Axial slice 119 of 197 of a contrast-enhanced abdominal CT (slice 1 is the lowest), 120 kVp, kernel I30f; 5.00 mm slice thickness and 0.791 mm pixels.
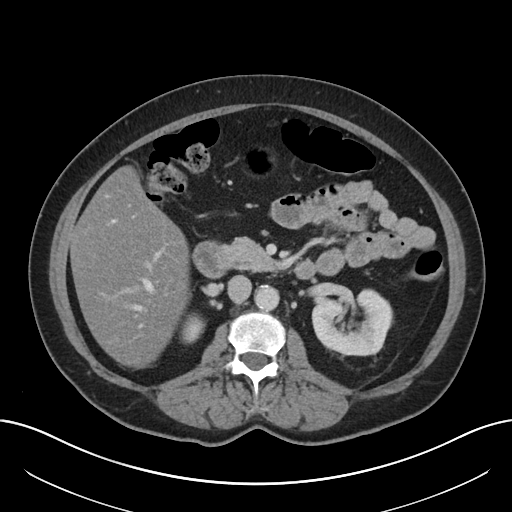
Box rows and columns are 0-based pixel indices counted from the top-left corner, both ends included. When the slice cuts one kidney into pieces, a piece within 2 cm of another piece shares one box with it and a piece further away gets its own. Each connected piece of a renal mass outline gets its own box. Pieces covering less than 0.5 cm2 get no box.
Boxed on this slice (two kidney boxes), listed by box centre from the image's left to its right: (1) Box rows 313–343, columns 180–204: right kidney (outlined area 548 px, about 3.4 cm2). (2) Left kidney at rows 290–356, columns 311–393 (outlined area 4,156 px, about 26.0 cm2). No renal mass outline on this slice.